Abdominal CT with intravenous contrast, arterial phase, axial plane, 120 kVp, kernel I26f. Slice 71/470 from the bottom of the scan; thickness 1.00 mm; pixel size 0.938 mm.
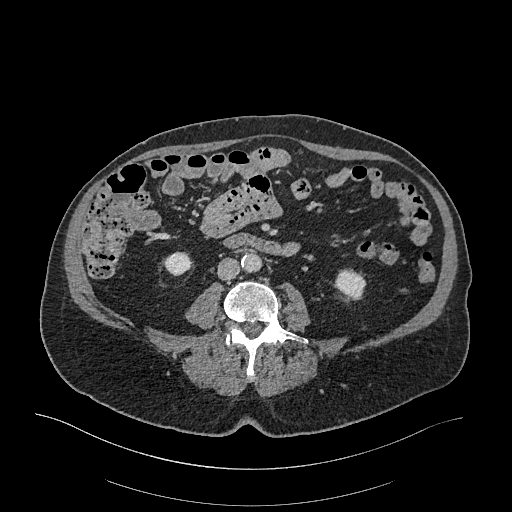
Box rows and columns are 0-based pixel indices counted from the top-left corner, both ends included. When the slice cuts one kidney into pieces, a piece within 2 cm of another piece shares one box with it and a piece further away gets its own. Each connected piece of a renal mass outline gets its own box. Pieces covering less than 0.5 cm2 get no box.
Boxed on this slice (two kidney boxes), listed by box centre from the image's left to its right: (1) Box rows 251–276, columns 163–191: right kidney (outlined area 529 px, about 4.6 cm2). (2) Left kidney, box rows 269–297, columns 335–366 (outlined area 686 px, about 6.0 cm2). No renal mass outline on this slice.